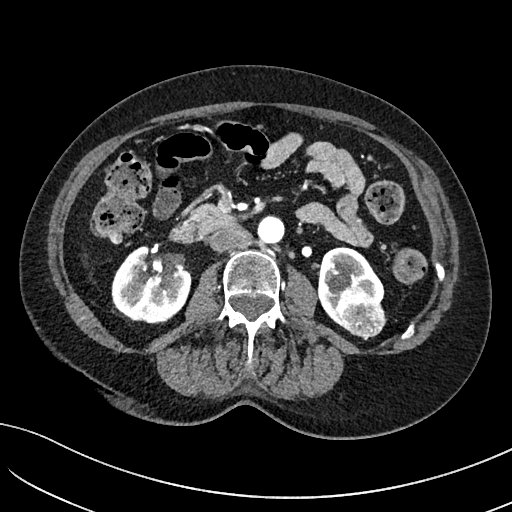
Arterial-phase contrast-enhanced abdominal CT, axial slice 47 of 234 (counted from the lowest slice); tube voltage 100 kVp, convolution kernel I40f; slices 2.00 mm thick, 0.699 mm per pixel.
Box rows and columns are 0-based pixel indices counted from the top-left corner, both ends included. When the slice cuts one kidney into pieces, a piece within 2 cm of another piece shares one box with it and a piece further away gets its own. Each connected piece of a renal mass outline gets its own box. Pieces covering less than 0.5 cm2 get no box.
Boxed on this slice (two kidney boxes and one renal mass box), listed by box centre from the image's left to its right: (1) Right kidney, box rows 245–323, columns 111–191 (outlined area 4,644 px, about 22.7 cm2). (2) Left kidney, box rows 246–320, columns 316–384 (outlined area 2,696 px, about 13.2 cm2). (3) Left renal mass, box rows 286–340, columns 334–386 (outlined area 2,012 px, about 9.8 cm2).